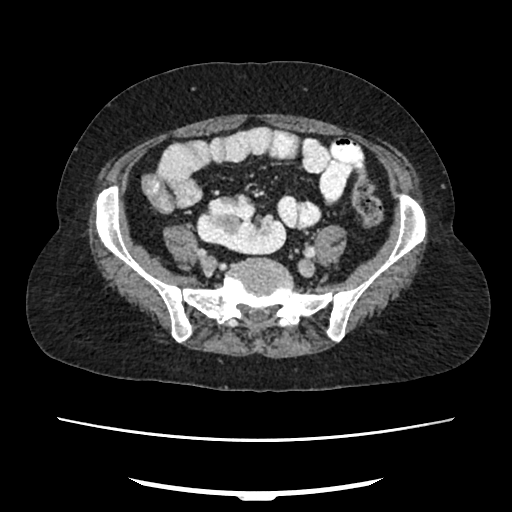
Axial slice 79 of 207 of a contrast-enhanced abdominal CT in the arterial phase (slice 1 is the lowest), 120 kVp, kernel FC18; 2.00 mm slice thickness and 0.741 mm pixels.
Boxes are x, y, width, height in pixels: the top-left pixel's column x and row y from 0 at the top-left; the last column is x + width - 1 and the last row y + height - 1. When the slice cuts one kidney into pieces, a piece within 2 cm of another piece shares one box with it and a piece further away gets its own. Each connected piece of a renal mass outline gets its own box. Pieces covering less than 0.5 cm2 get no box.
Right kidney, box x 196, y 194, width 91, height 61 (outlined area 3,861 px, about 21.2 cm2). This slice carries no renal mass outline.